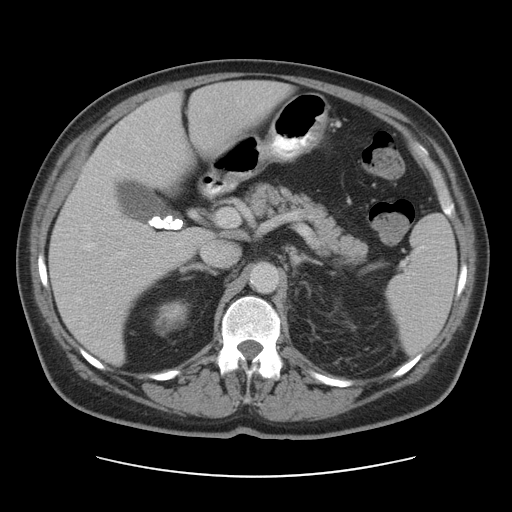
One axial slice (70 of 95, counting up from the lowest) of a contrast-enhanced abdominal CT acquired with 120 kVp, kernel STANDARD; each pixel is 0.781 mm and the slice is 5.00 mm thick.
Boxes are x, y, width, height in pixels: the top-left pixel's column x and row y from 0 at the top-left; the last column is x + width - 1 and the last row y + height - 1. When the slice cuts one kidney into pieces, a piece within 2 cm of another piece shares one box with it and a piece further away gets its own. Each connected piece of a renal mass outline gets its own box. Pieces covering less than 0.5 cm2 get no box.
Right kidney at x 153, y 300, width 37, height 37 (outlined area 937 px, about 5.7 cm2). No renal mass outline on this slice.